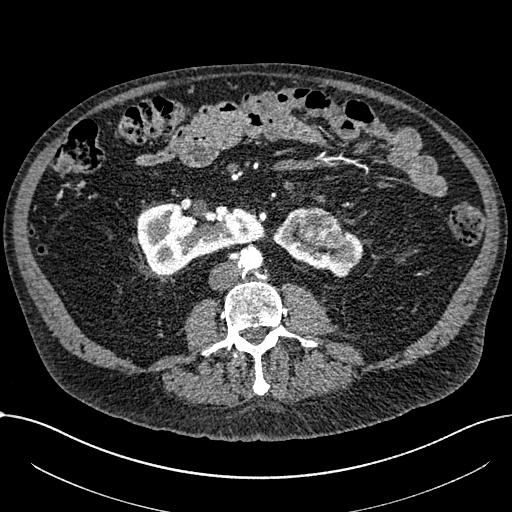
One axial slice (317 of 1059, counting up from the lowest) of an arterial-phase abdominal CT acquired with 100 kVp, kernel I30f; each pixel is 0.811 mm and the slice is 1.00 mm thick.
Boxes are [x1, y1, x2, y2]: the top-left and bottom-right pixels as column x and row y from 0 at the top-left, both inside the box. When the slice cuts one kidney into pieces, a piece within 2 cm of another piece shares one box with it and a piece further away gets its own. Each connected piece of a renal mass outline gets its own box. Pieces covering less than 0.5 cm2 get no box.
Three boxes on this slice (two kidney boxes and one renal mass box), listed by box centre from the image's left to its right. (1) Right part of the midline-crossing kidney at [137, 202, 264, 273] (outlined area 6,133 px, about 40.3 cm2). (2) Left part of the midline-crossing kidney, box [273, 207, 363, 277] (outlined area 2,603 px, about 17.1 cm2). (3) Renal mass, box [296, 208, 344, 249] (outlined area 1,462 px, about 9.6 cm2).